Abdominal CT with intravenous contrast, arterial phase, axial plane, 120 kVp, kernel I30f. Slice 293/670 from the bottom of the scan; thickness 1.00 mm; pixel size 0.861 mm.
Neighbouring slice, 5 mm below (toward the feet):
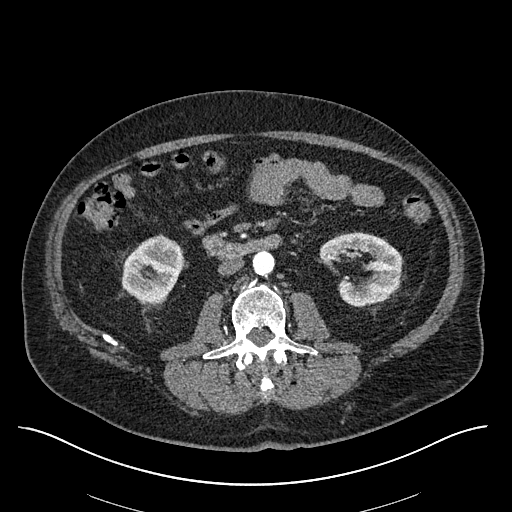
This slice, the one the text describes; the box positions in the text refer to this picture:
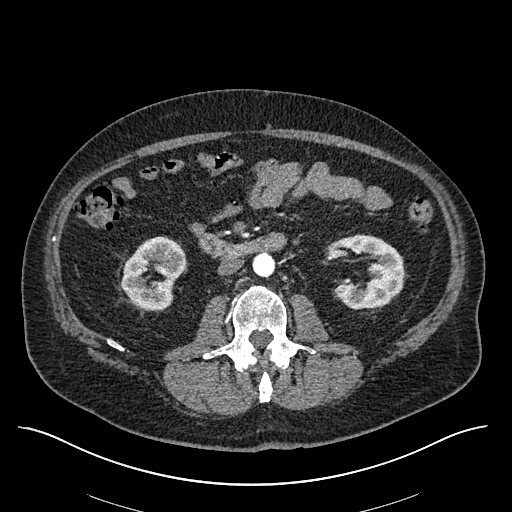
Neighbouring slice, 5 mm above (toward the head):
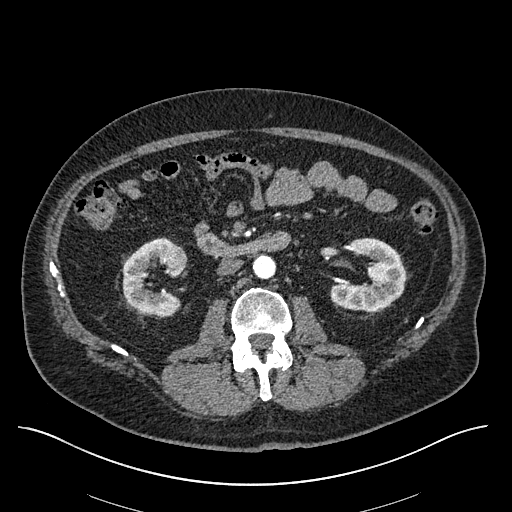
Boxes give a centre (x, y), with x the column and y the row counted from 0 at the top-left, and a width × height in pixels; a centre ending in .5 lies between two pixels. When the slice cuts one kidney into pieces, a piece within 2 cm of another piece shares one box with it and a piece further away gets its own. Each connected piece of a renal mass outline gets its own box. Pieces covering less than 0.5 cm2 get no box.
Boxed on this slice (two kidney boxes and one renal mass box), listed by box centre from the image's left to its right: (1) Box centre (153.5, 273.5), 66 × 76 pixels: right kidney (outlined area 3,279 px, about 24.3 cm2). (2) Right renal mass in a box with centre (172.5, 255), 16 × 15 pixels (outlined area 195 px, about 1.4 cm2). (3) Left kidney, box centre (367.5, 271.5), 72 × 76 pixels (outlined area 3,723 px, about 27.6 cm2). This slice is near the end of the right renal mass toward the feet, so the slices 5 mm below and 5 mm above it are shown as well; the boxes refer to this slice only.